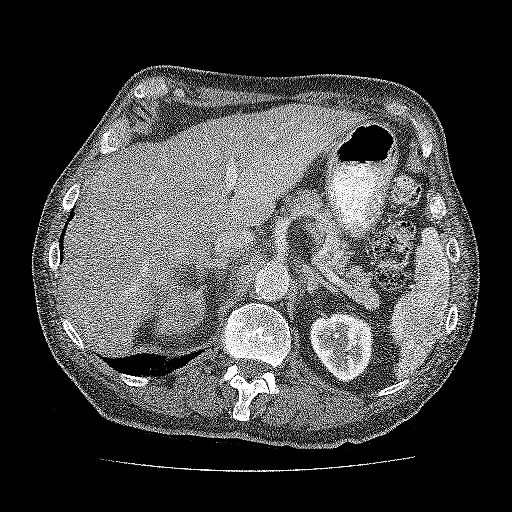
Abdominal CT with intravenous contrast, axial plane, 120 kVp, kernel FC52. Slice 112/137 from the bottom of the scan; thickness 3.00 mm; pixel size 0.741 mm.
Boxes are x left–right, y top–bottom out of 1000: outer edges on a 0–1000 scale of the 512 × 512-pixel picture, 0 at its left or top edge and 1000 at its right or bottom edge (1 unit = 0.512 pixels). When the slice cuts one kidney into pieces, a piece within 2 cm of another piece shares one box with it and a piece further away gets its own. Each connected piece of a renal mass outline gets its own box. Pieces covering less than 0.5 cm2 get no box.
Boxed on this slice (one kidney box and one renal mass box), listed by box centre from the image's left to its right: (1) Renal mass at x 303–402, y 557–654 out of 1000 (outlined area 1,842 px, about 10.1 cm2); it sits over 1 cm from every kidney outline on this slice, but the same outlined renal mass comes within 1 cm of the kidney on another slice. (2) Kidney, box x 604–730, y 609–748 out of 1000 (outlined area 3,474 px, about 19.1 cm2).